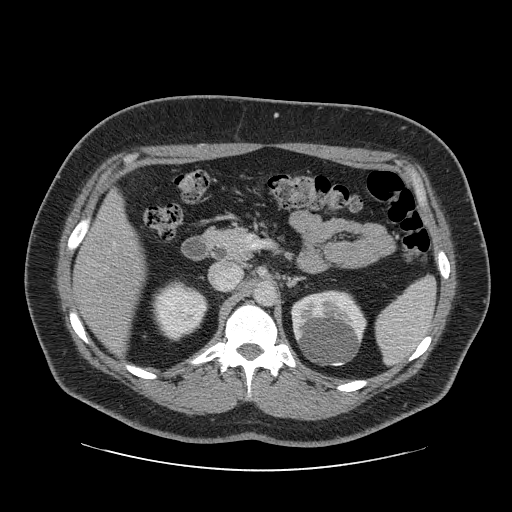
Axial slice 49 of 69 of a contrast-enhanced abdominal CT in the arterial phase (slice 1 is the lowest), 120 kVp, kernel STANDARD; 2.50 mm slice thickness and 0.846 mm pixels.
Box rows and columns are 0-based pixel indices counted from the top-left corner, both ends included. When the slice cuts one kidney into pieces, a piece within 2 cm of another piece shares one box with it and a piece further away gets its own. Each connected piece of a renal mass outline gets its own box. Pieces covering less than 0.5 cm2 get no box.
Two boxes on this slice (two kidney boxes), listed by box centre from the image's left to its right. (1) Right kidney at rows 279–341, columns 152–208 (outlined area 2,487 px, about 17.8 cm2). (2) Left kidney at rows 290–366, columns 290–366 (outlined area 4,561 px, about 32.6 cm2). This slice carries no renal mass outline.